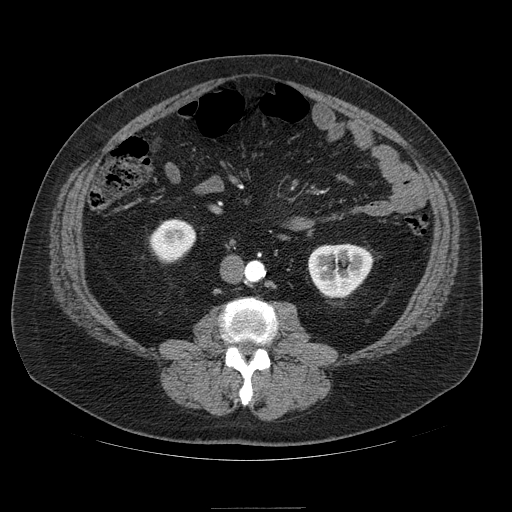
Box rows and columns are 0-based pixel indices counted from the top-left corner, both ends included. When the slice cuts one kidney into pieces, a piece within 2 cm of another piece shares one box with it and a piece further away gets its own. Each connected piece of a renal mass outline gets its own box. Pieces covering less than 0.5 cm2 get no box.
Arterial-phase contrast-enhanced abdominal CT, axial slice 30 of 121 (counted from the lowest slice); 2.50 mm thick, 0.861 mm per pixel. Two kidney boxes on this slice; by box centre, from the image's left to its right: (1) Right kidney at rows 219–262, columns 149–195 (outlined area 1,509 px, about 11.2 cm2). (2) Box rows 244–298, columns 308–373: left kidney (outlined area 2,738 px, about 20.3 cm2). This slice carries no renal mass outline.
Tube voltage 120 kVp; convolution kernel STANDARD.